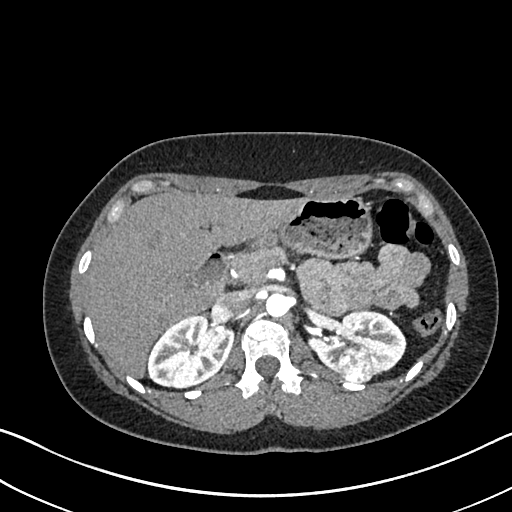
One axial slice (467 of 612, counting up from the lowest) of an arterial-phase abdominal CT acquired with 120 kVp, kernel I30f; each pixel is 0.703 mm and the slice is 1.00 mm thick.
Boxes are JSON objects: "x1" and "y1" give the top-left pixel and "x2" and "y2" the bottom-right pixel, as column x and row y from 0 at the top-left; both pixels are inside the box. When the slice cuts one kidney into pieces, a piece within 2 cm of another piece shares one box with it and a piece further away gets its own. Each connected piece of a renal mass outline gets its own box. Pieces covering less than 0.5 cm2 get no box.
Three boxes on this slice (two kidney boxes and one renal mass box), listed by box centre from the image's left to its right. (1) Right kidney at {"x1": 147, "y1": 315, "x2": 235, "y2": 389} (outlined area 4,659 px, about 23.0 cm2). (2) Box {"x1": 337, "y1": 345, "x2": 373, "y2": 381}: left renal mass (outlined area 1,108 px, about 5.5 cm2). (3) Box {"x1": 309, "y1": 311, "x2": 406, "y2": 375}: left kidney (outlined area 3,804 px, about 18.8 cm2).